Abdominal CT with intravenous contrast, arterial phase, axial plane, 120 kVp, kernel I31f. Slice 188/345 from the bottom of the scan; thickness 2.00 mm; pixel size 0.977 mm.
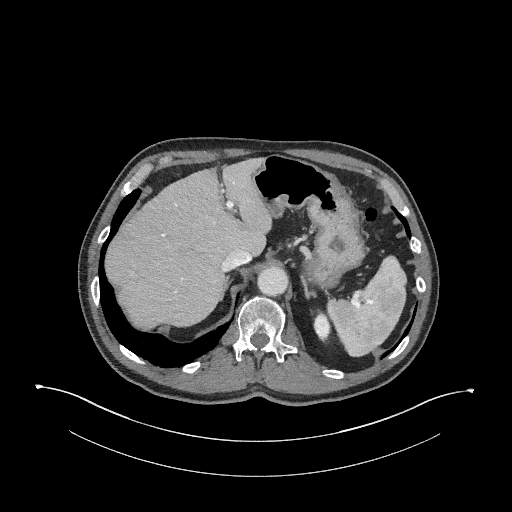
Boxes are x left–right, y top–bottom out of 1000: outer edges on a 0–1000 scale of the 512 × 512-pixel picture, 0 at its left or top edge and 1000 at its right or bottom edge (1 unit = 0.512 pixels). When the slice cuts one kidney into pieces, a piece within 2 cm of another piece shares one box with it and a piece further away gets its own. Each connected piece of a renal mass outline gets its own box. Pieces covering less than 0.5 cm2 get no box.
Left kidney at x 607–648, y 604–670 out of 1000 (outlined area 475 px, about 4.5 cm2). This slice carries no renal mass outline.